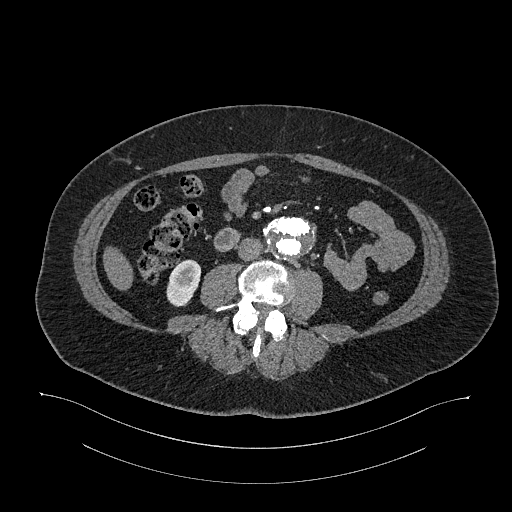
Arterial-phase contrast-enhanced abdominal CT, axial slice 544 of 987 (counted from the lowest slice); tube voltage 120 kVp, convolution kernel I26f; slices 1.00 mm thick, 0.977 mm per pixel.
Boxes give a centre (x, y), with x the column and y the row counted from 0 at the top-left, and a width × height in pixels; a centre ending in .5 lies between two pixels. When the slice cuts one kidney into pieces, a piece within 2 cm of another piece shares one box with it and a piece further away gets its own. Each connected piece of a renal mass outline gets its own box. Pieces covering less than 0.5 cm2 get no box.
Box centre (183, 282.5), 35 × 48 pixels: right kidney (outlined area 1,219 px, about 11.6 cm2). No renal mass outline on this slice.